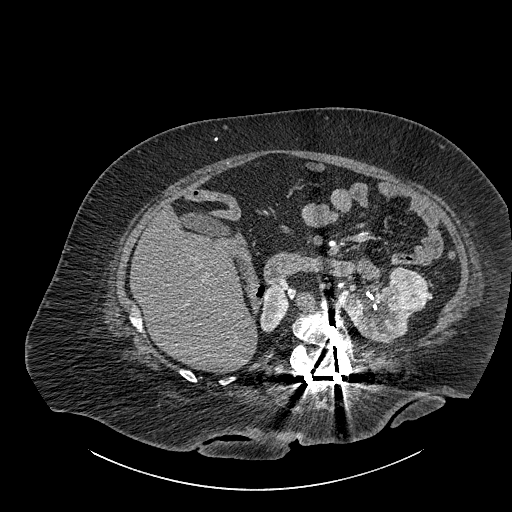
Axial slice 543 of 834 of a contrast-enhanced abdominal CT (slice 1 is the lowest), 140 kVp, kernel I30f; 1.00 mm slice thickness and 0.977 mm pixels.
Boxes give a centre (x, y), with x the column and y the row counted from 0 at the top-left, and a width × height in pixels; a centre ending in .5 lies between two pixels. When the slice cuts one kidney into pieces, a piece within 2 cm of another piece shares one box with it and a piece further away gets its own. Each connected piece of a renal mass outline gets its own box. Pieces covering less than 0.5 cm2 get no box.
Two kidney boxes and one renal mass box on this slice; by box centre, from the image's left to its right: (1) Right part of the midline-crossing kidney in a box with centre (274, 308.5), 29 × 48 pixels (outlined area 972 px, about 9.3 cm2). (2) Box centre (376.5, 313.5), 74 × 60 pixels: left part of the midline-crossing kidney (outlined area 2,654 px, about 25.3 cm2). (3) Renal mass in a box with centre (408, 288.5), 39 × 46 pixels (outlined area 1,341 px, about 12.8 cm2).